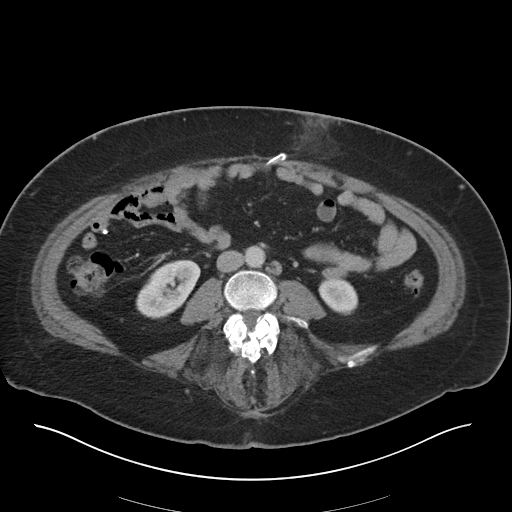
One axial slice (6 of 36, counting up from the lowest) of an arterial-phase abdominal CT acquired with 140 kVp, kernel I30f; each pixel is 0.906 mm and the slice is 5.00 mm thick.
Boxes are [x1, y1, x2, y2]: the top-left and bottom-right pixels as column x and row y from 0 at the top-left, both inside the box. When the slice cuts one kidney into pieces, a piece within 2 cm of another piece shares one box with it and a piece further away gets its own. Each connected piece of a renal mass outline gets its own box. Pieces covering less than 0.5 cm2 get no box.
Two boxes on this slice (two kidney boxes), listed by box centre from the image's left to its right. (1) Right kidney at [136, 259, 200, 318] (outlined area 2,581 px, about 21.2 cm2). (2) Box [318, 278, 358, 315]: left kidney (outlined area 1,121 px, about 9.2 cm2). No renal mass outline on this slice.